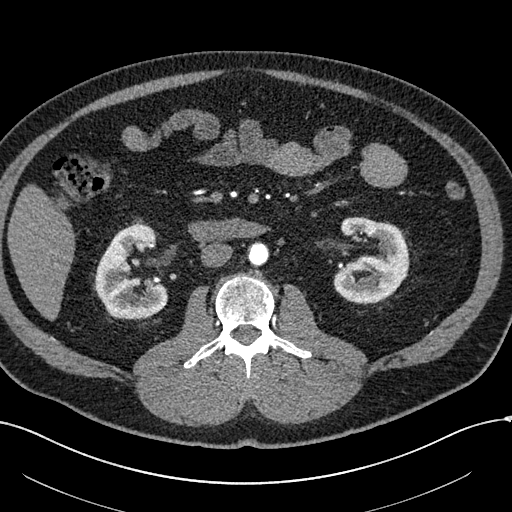
Abdominal CT with intravenous contrast, arterial phase, axial plane, 120 kVp, kernel I30f. Slice 294/602 from the bottom of the scan; thickness 1.00 mm; pixel size 0.799 mm.
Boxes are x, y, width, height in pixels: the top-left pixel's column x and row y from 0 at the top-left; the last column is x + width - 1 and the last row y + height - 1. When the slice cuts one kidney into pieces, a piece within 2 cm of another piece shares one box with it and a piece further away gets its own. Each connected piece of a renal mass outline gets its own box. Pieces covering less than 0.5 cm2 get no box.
Two kidney boxes on this slice; by box centre, from the image's left to its right: (1) Right kidney, box x 93, y 221, width 76, height 100 (outlined area 4,910 px, about 31.3 cm2). (2) Box x 333, y 216, width 77, height 88: left kidney (outlined area 4,728 px, about 30.2 cm2). No renal mass outline on this slice.